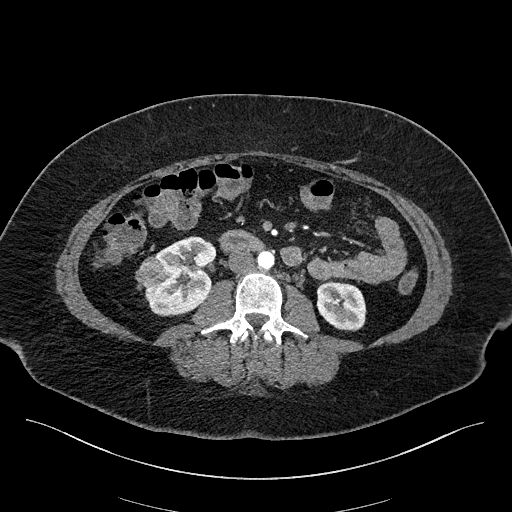
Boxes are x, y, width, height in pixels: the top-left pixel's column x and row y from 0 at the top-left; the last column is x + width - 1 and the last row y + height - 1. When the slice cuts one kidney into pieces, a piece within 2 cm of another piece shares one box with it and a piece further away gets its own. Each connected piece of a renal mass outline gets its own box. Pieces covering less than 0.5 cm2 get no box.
Arterial-phase contrast-enhanced abdominal CT, axial slice 77 of 270 (counted from the lowest slice); 2.00 mm thick, 0.855 mm per pixel. Boxed on this slice (two kidney boxes and one renal mass box), listed by box centre from the image's left to its right: (1) Box x 135, y 256, width 32, height 32: right renal mass (outlined area 713 px, about 5.2 cm2). (2) Right kidney at x 145, y 236, width 72, height 80 (outlined area 3,801 px, about 27.8 cm2). (3) Left kidney at x 316, y 281, width 51, height 50 (outlined area 2,020 px, about 14.8 cm2).
Acquired at 100 kVp and reconstructed with the I40f kernel.